One axial slice (352 of 665, counting up from the lowest) of an arterial-phase abdominal CT acquired with 100 kVp, kernel I26f; each pixel is 0.828 mm and the slice is 1.00 mm thick.
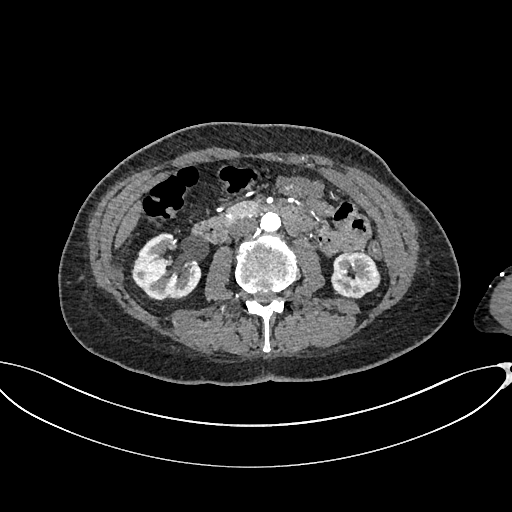
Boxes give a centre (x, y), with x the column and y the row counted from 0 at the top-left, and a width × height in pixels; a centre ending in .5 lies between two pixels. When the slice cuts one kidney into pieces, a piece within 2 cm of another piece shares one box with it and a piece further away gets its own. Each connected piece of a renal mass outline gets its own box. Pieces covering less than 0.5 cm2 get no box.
Boxed on this slice (two kidney boxes), listed by box centre from the image's left to its right: (1) Right kidney, box centre (166, 266.5), 71 × 68 pixels (outlined area 3,298 px, about 22.6 cm2). (2) Left kidney, box centre (355.5, 274.5), 50 × 48 pixels (outlined area 1,843 px, about 12.6 cm2). No renal mass outline on this slice.